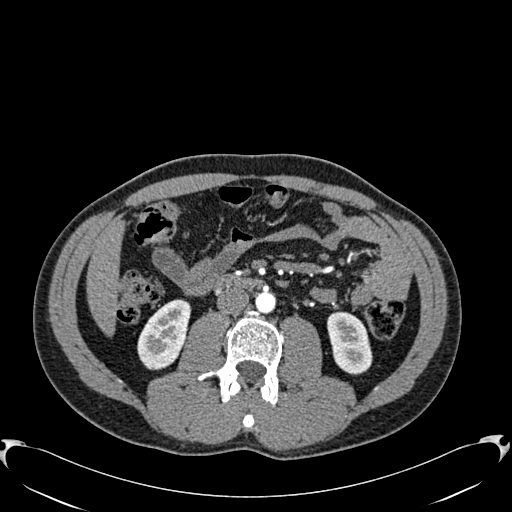
Abdominal CT with intravenous contrast, arterial phase, axial plane, 120 kVp, kernel B30f. Slice 295/512 from the bottom of the scan; thickness 1.00 mm; pixel size 0.771 mm.
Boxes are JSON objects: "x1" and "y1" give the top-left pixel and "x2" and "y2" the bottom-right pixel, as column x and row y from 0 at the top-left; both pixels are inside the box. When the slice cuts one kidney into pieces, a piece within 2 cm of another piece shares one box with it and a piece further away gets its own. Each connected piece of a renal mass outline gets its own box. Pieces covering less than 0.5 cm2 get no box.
Two kidney boxes on this slice; by box centre, from the image's left to its right: (1) Right kidney, box {"x1": 137, "y1": 299, "x2": 191, "y2": 370} (outlined area 2,682 px, about 16.0 cm2). (2) Box {"x1": 327, "y1": 311, "x2": 372, "y2": 374}: left kidney (outlined area 2,191 px, about 13.0 cm2). No renal mass is outlined on this slice.